Arterial-phase contrast-enhanced abdominal CT, axial slice 201 of 581 (counted from the lowest slice); tube voltage 120 kVp, convolution kernel B30f; slices 1.00 mm thick, 0.713 mm per pixel.
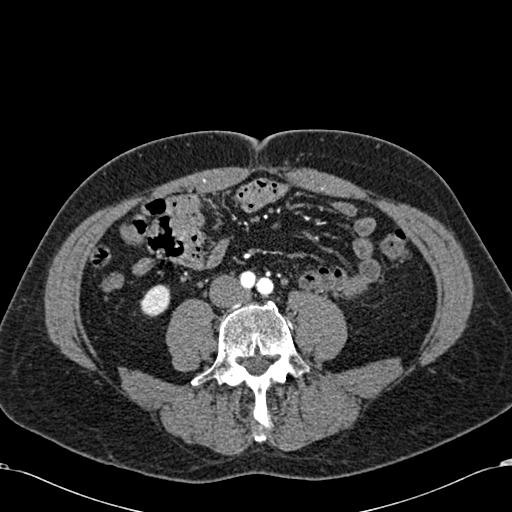
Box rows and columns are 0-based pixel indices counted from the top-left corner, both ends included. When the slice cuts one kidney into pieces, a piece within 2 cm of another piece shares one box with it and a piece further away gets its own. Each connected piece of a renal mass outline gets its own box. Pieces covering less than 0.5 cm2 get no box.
Right kidney at rows 284–317, columns 139–170 (outlined area 759 px, about 3.9 cm2). No renal mass outline on this slice.